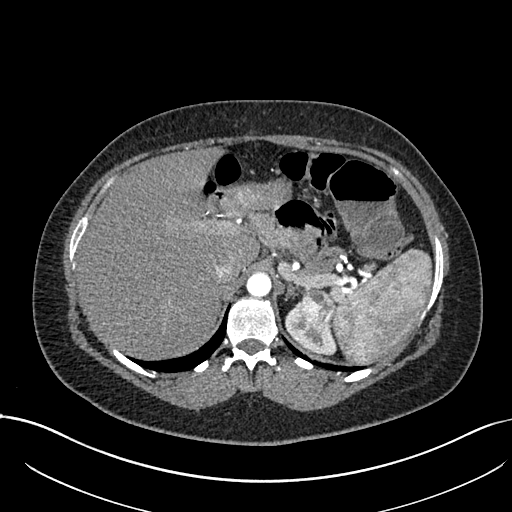
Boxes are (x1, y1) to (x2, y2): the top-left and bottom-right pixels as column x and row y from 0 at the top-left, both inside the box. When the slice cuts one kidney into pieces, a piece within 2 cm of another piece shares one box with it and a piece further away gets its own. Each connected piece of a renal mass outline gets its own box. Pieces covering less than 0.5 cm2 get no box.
Slice 558/738 of a contrast-enhanced abdominal CT in the arterial phase, counting up from the lowest; pixel size 0.789 mm, slice thickness 1.00 mm. Two boxes on this slice (one kidney box and one renal mass box), listed by box centre from the image's left to its right. (1) Left kidney, box (285, 302) to (336, 354) (outlined area 1,206 px, about 7.5 cm2). (2) Box (298, 289) to (333, 332): left renal mass (outlined area 1,212 px, about 7.5 cm2).
Acquired at 120 kVp and reconstructed with the I30f kernel.